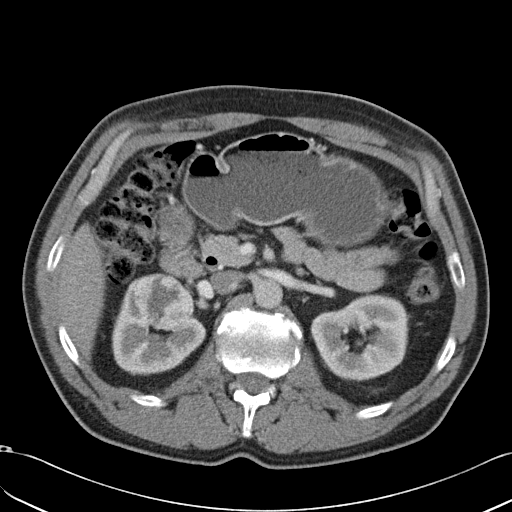
Axial slice 23 of 49 of a contrast-enhanced abdominal CT in the arterial phase (slice 1 is the lowest), 120 kVp, kernel B31f; 5.00 mm slice thickness and 0.691 mm pixels.
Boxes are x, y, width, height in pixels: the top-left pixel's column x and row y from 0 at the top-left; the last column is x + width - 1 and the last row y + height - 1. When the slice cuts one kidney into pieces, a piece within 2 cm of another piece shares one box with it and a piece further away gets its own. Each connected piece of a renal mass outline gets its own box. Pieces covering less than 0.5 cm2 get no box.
Boxed on this slice (two kidney boxes and one renal mass box), listed by box centre from the image's left to its right: (1) Right kidney, box x 111, y 278, width 96, height 98 (outlined area 4,393 px, about 21.0 cm2). (2) Box x 133, y 273, width 61, height 57: right renal mass (outlined area 2,675 px, about 12.8 cm2). (3) Left kidney, box x 310, y 294, width 101, height 88 (outlined area 6,399 px, about 30.6 cm2).